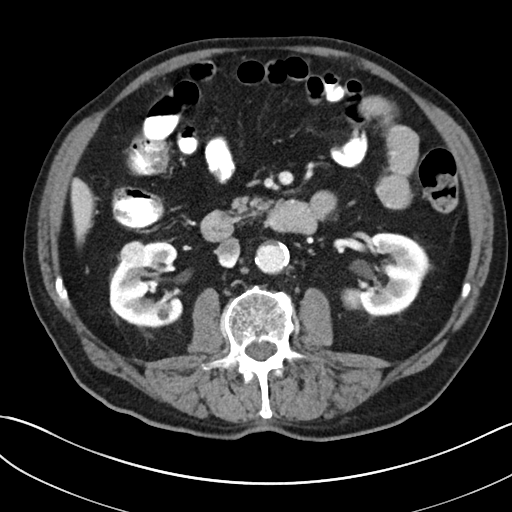
One axial slice (123 of 269, counting up from the lowest) of a contrast-enhanced abdominal CT acquired with 100 kVp, kernel I30f; each pixel is 0.732 mm and the slice is 5.00 mm thick.
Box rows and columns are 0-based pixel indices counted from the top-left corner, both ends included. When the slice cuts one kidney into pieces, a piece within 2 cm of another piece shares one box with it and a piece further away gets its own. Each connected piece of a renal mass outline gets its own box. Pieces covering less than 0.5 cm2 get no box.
Two kidney boxes and one renal mass box on this slice; by box centre, from the image's left to its right: (1) Box rows 240–266, columns 120–147: right renal mass (outlined area 575 px, about 3.1 cm2). (2) Right kidney, box rows 242–326, columns 109–183 (outlined area 4,382 px, about 23.5 cm2). (3) Left kidney at rows 232–319, columns 341–432 (outlined area 4,986 px, about 26.7 cm2).